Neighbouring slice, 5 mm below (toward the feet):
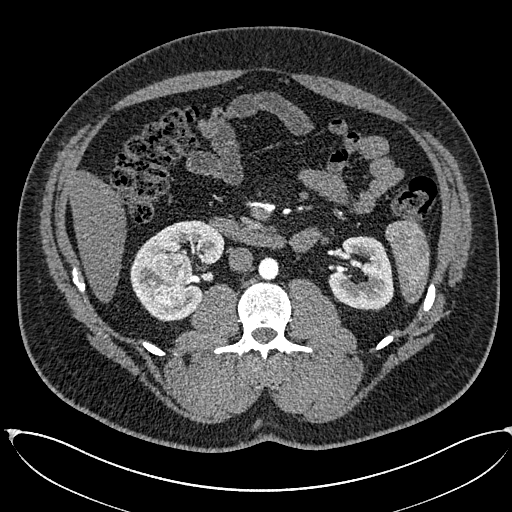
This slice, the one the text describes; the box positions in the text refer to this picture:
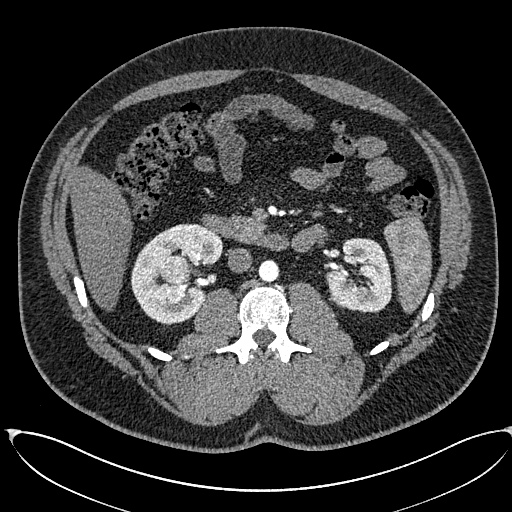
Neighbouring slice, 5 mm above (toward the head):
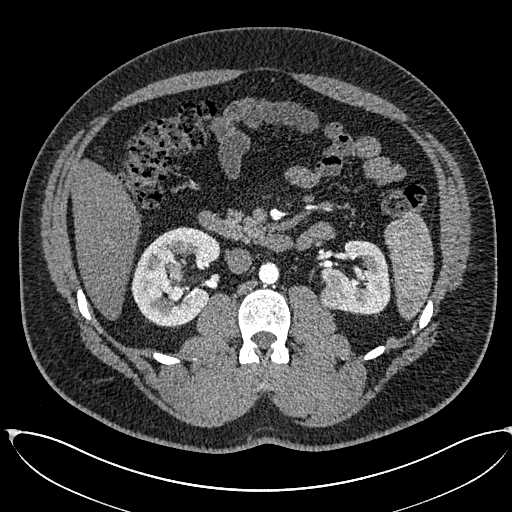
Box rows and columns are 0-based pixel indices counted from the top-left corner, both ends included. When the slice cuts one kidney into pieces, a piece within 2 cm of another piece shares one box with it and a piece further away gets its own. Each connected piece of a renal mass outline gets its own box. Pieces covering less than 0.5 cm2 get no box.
Arterial-phase contrast-enhanced abdominal CT, axial slice 334 of 673 (counted from the lowest slice); 1.00 mm thick, 0.855 mm per pixel. Four boxes on this slice (two kidney boxes and two renal mass boxes), listed by box centre from the image's left to its right. (1) Box rows 255–303, columns 160–191: right renal mass (outlined area 1,194 px, about 8.7 cm2). (2) Right kidney at rows 223–324, columns 131–223 (outlined area 5,454 px, about 39.9 cm2). (3) Left renal mass, box rows 290–308, columns 329–349 (outlined area 266 px, about 1.9 cm2). (4) Box rows 237–313, columns 325–392: left kidney (outlined area 3,592 px, about 26.3 cm2). This slice lies near the end of the left renal mass toward the feet; the slices 5 mm below and 5 mm above it are shown too, and the boxes mark positions on this slice only.
Tube voltage 120 kVp; convolution kernel I30f.